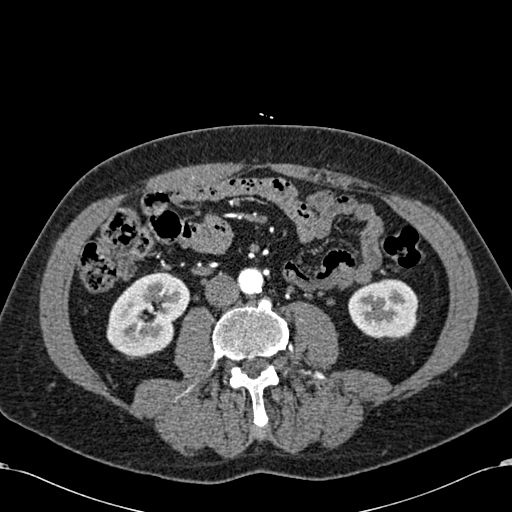
Abdominal CT with intravenous contrast, arterial phase, axial plane, 120 kVp, kernel B30f. Slice 255/581 from the bottom of the scan; thickness 1.00 mm; pixel size 0.713 mm.
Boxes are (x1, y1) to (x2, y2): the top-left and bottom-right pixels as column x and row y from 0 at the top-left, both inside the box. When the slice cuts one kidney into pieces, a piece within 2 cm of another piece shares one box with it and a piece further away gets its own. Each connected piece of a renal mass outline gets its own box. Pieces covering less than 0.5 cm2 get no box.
Two kidney boxes on this slice; by box centre, from the image's left to its right: (1) Box (106, 271) to (190, 357): right kidney (outlined area 5,054 px, about 25.7 cm2). (2) Left kidney from (348, 279) to (418, 338) (outlined area 3,375 px, about 17.2 cm2). This slice carries no renal mass outline.